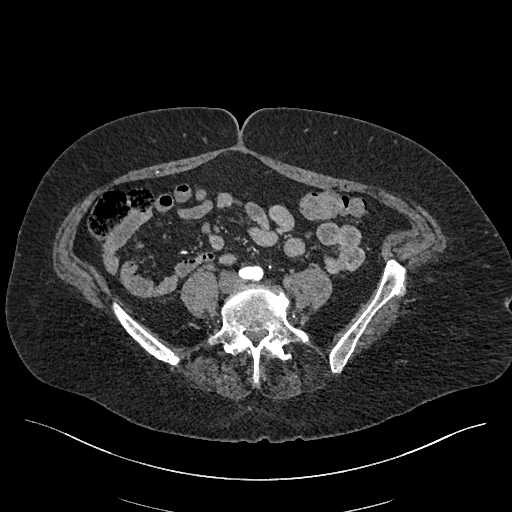
Axial slice 95 of 548 of a contrast-enhanced abdominal CT in the arterial phase (slice 1 is the lowest), 120 kVp, kernel I26f; 1.00 mm slice thickness and 0.852 mm pixels.
Neither a kidney nor a renal mass is outlined here. Only kidneys and renal masses are outlined anywhere in this scan; other structures are never outlined.